Axial slice 434 of 512 of a contrast-enhanced abdominal CT in the arterial phase (slice 1 is the lowest), 120 kVp, kernel B30f; 1.00 mm slice thickness and 0.771 mm pixels.
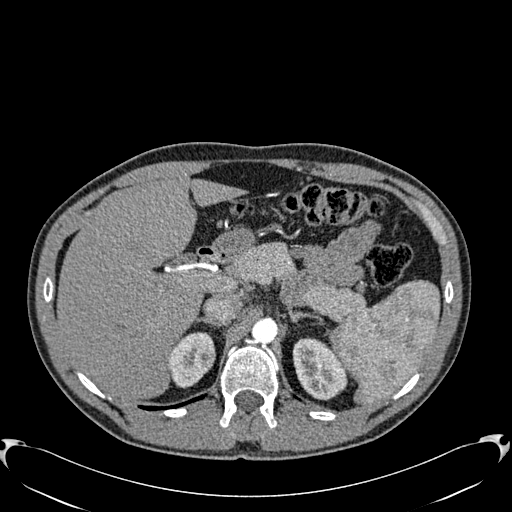
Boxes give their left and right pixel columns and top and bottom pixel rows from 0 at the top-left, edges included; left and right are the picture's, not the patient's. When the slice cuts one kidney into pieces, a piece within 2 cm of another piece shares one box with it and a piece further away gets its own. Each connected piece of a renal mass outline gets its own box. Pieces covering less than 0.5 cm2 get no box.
Two kidney boxes and one renal mass box on this slice; by box centre, from the image's left to its right: (1) Box with left 168, top 332, right 215, bottom 387: right kidney (outlined area 1,635 px, about 9.7 cm2). (2) Right renal mass in the box with left 195, top 349, right 215, bottom 369 (outlined area 303 px, about 1.8 cm2). (3) Box with left 292, top 337, right 347, bottom 400: left kidney (outlined area 2,496 px, about 14.9 cm2).